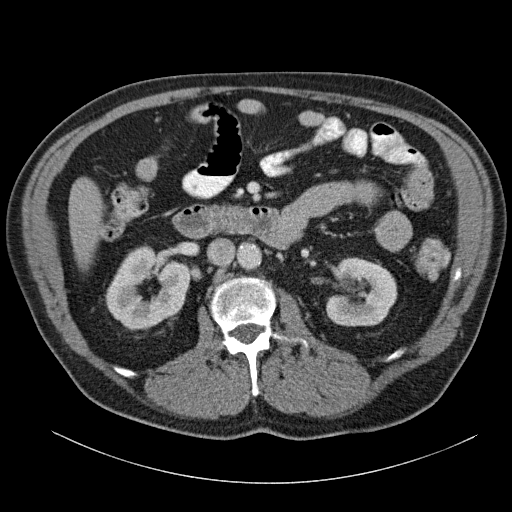
Abdominal CT with intravenous contrast, arterial phase, axial plane, 120 kVp, kernel B31f. Slice 70/140 from the bottom of the scan; thickness 5.00 mm; pixel size 0.754 mm.
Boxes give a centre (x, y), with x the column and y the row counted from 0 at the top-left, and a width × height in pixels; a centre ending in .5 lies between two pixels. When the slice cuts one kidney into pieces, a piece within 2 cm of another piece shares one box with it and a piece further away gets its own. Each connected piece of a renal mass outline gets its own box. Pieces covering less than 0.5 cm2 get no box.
Two boxes on this slice (two kidney boxes), listed by box centre from the image's left to its right. (1) Right kidney, box centre (148, 287), 87 × 87 pixels (outlined area 4,940 px, about 28.1 cm2). (2) Box centre (361, 291.5), 73 × 70 pixels: left kidney (outlined area 3,841 px, about 21.8 cm2). This slice carries no renal mass outline.